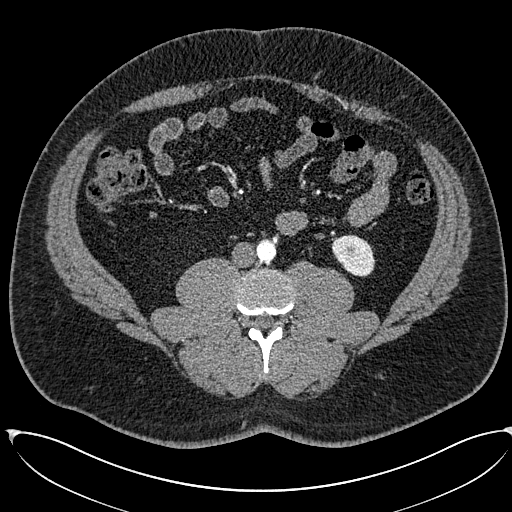
Arterial-phase contrast-enhanced abdominal CT, axial slice 233 of 673 (counted from the lowest slice); tube voltage 120 kVp, convolution kernel I30f; slices 1.00 mm thick, 0.855 mm per pixel.
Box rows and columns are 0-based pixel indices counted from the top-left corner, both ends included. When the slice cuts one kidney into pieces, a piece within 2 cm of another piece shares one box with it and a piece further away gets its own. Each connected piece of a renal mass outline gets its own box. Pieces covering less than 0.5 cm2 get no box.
Left kidney, box rows 234–276, columns 331–375 (outlined area 1,375 px, about 10.1 cm2). No renal mass is outlined on this slice.